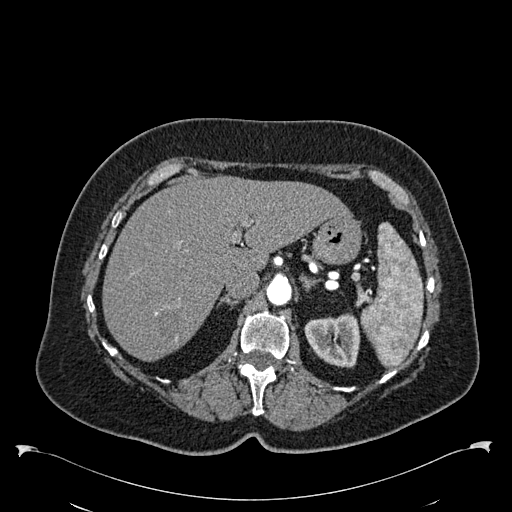
Axial slice 414 of 538 of a contrast-enhanced abdominal CT in the arterial phase (slice 1 is the lowest), 120 kVp, kernel B30f; 1.00 mm slice thickness and 0.811 mm pixels.
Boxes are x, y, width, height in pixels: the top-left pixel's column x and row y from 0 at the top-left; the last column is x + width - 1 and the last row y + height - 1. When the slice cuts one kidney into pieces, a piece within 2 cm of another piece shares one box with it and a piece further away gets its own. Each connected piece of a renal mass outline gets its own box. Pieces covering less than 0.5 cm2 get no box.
Left kidney, box x 304, y 313, width 57, height 55 (outlined area 2,337 px, about 15.4 cm2). No renal mass is outlined on this slice.